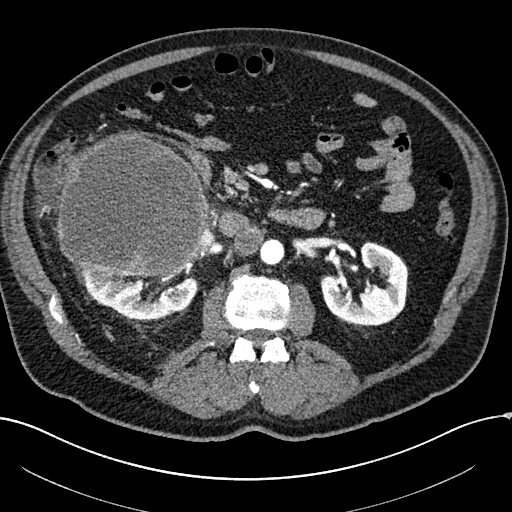
Axial slice 112 of 304 of a contrast-enhanced abdominal CT in the arterial phase (slice 1 is the lowest), 100 kVp, kernel I30f; 2.00 mm slice thickness and 0.809 mm pixels.
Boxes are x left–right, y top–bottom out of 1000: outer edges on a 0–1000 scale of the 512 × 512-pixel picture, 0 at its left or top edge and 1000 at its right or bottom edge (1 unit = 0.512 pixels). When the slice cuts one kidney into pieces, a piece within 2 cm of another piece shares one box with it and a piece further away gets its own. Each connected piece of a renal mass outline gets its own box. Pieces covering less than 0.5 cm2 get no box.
Three boxes on this slice (two kidney boxes and one renal mass box), listed by box centre from the image's left to its right. (1) Right renal mass at x 111–404, y 256–541 out of 1000 (outlined area 17,776 px, about 116.2 cm2). (2) Right kidney, box x 143–389, y 514–627 out of 1000 (outlined area 4,088 px, about 26.7 cm2). (3) Left kidney at x 625–799, y 471–641 out of 1000 (outlined area 4,843 px, about 31.7 cm2).